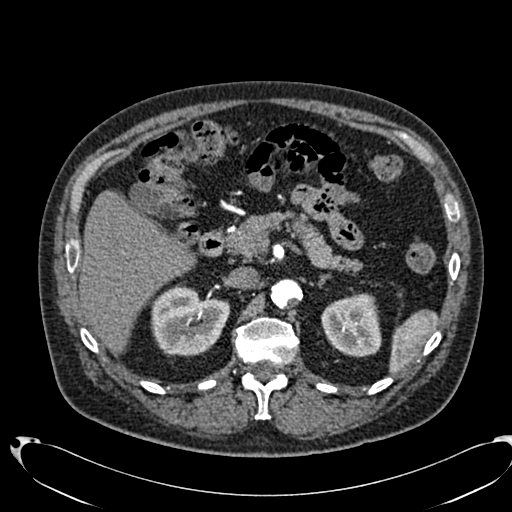
Axial slice 464 of 553 of a contrast-enhanced abdominal CT in the arterial phase (slice 1 is the lowest), 120 kVp, kernel B20f; 1.00 mm slice thickness and 0.773 mm pixels.
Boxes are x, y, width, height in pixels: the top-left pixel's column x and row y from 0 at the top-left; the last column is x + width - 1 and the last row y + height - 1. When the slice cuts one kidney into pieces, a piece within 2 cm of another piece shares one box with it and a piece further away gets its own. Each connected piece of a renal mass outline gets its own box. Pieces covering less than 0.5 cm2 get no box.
Two boxes on this slice (two kidney boxes), listed by box centre from the image's left to its right. (1) Right kidney, box x 151, y 283, width 79, height 74 (outlined area 4,324 px, about 25.9 cm2). (2) Left kidney, box x 321, y 293, width 60, height 64 (outlined area 3,013 px, about 18.0 cm2). No renal mass is outlined on this slice.